Abdominal CT with intravenous contrast, arterial phase, axial plane, 120 kVp, kernel STANDARD. Slice 61/121 from the bottom of the scan; thickness 2.50 mm; pixel size 0.861 mm.
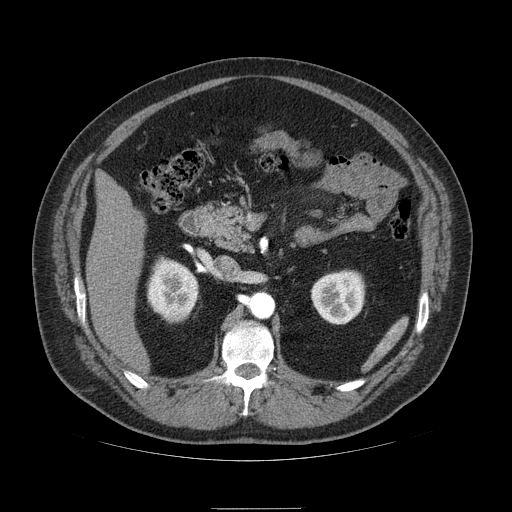
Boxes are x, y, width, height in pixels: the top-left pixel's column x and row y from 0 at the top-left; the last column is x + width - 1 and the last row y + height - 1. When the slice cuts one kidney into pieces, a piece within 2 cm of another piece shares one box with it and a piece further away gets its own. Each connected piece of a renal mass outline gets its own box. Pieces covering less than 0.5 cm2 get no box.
Boxed on this slice (two kidney boxes and one renal mass box), listed by box centre from the image's left to its right: (1) Right kidney, box x 147, y 257, width 52, height 63 (outlined area 2,177 px, about 16.2 cm2). (2) Box x 164, y 305, width 25, height 18: right renal mass (outlined area 361 px, about 2.7 cm2). (3) Left kidney, box x 311, y 270, width 54, height 55 (outlined area 2,334 px, about 17.3 cm2).